One axial slice (61 of 140, counting up from the lowest) of an arterial-phase abdominal CT acquired with 120 kVp, kernel B31f; each pixel is 0.754 mm and the slice is 5.00 mm thick.
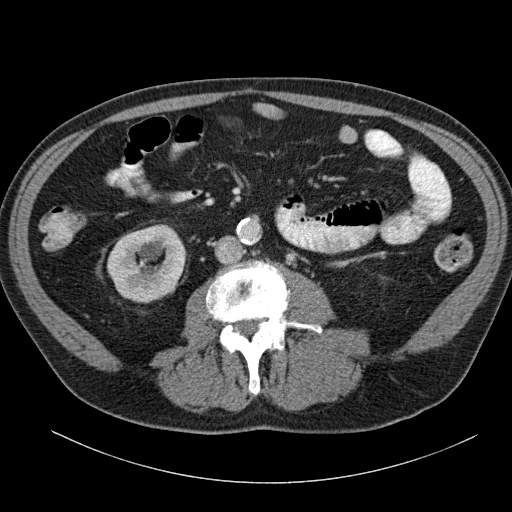
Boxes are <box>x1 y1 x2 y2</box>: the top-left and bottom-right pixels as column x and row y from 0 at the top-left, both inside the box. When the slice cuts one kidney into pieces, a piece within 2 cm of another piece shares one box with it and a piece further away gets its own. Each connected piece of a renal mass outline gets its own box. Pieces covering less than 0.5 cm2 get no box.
Right kidney: <box>107 224 186 303</box> (outlined area 4,713 px, about 26.8 cm2). No renal mass outline on this slice.